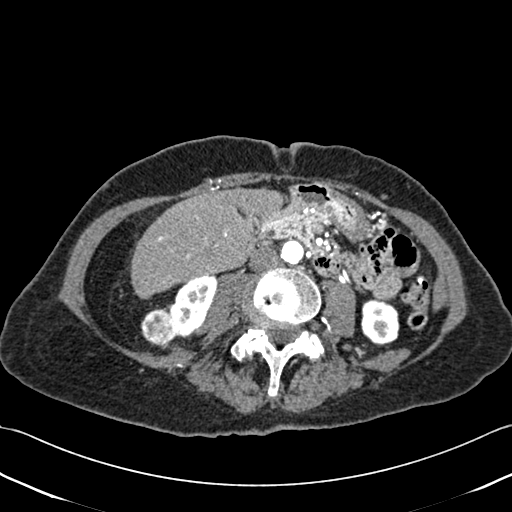
Abdominal CT with intravenous contrast, axial plane, 120 kVp, kernel B30f. Slice 176/433 from the bottom of the scan; thickness 1.00 mm; pixel size 0.672 mm.
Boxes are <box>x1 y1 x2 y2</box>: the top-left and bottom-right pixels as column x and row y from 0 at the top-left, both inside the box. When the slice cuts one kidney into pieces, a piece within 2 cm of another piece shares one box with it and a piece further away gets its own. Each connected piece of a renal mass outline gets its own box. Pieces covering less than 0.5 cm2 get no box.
Boxed on this slice (two kidney boxes and one renal mass box), listed by box centre from the image's left to its right: (1) Right renal mass: <box>141 307 176 345</box> (outlined area 1,063 px, about 4.8 cm2). (2) At <box>166 275 216 337</box>: right kidney (outlined area 1,976 px, about 8.9 cm2). (3) Left kidney at <box>361 299 399 345</box> (outlined area 1,478 px, about 6.7 cm2).